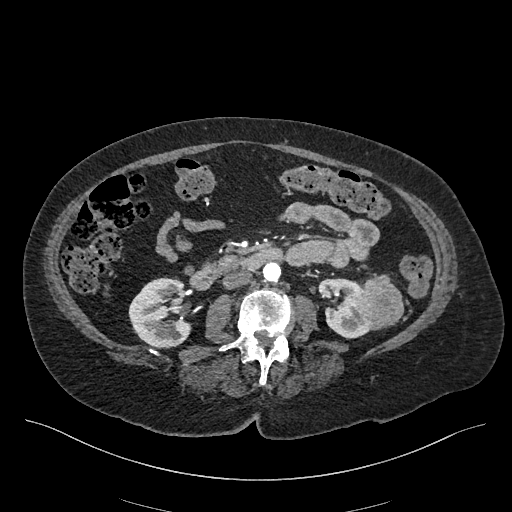
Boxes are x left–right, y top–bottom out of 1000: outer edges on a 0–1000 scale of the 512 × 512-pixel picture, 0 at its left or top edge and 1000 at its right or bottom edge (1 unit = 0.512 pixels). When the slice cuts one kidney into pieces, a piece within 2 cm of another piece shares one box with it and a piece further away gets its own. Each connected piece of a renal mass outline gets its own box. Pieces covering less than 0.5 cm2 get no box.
Slice 220/548 of a contrast-enhanced abdominal CT in the arterial phase, counting up from the lowest; pixel size 0.852 mm, slice thickness 1.00 mm. Boxed on this slice (two kidney boxes and one renal mass box), listed by box centre from the image's left to its right: (1) Right kidney at x 250–375, y 541–682 out of 1000 (outlined area 3,411 px, about 24.7 cm2). (2) Left kidney at x 619–723, y 543–662 out of 1000 (outlined area 2,053 px, about 14.9 cm2). (3) Box x 695–789, y 535–646 out of 1000: left renal mass (outlined area 2,024 px, about 14.7 cm2).
Tube voltage 120 kVp; convolution kernel I26f.